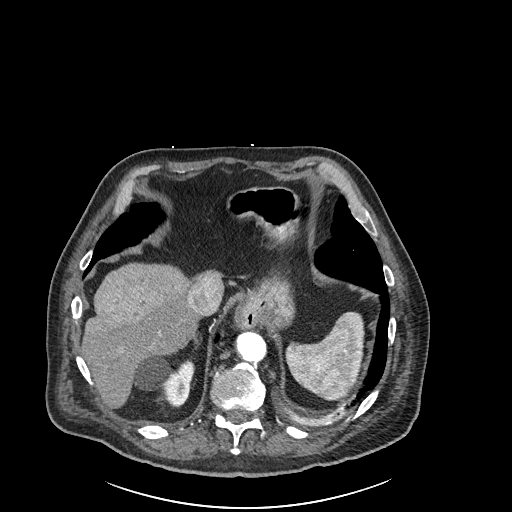
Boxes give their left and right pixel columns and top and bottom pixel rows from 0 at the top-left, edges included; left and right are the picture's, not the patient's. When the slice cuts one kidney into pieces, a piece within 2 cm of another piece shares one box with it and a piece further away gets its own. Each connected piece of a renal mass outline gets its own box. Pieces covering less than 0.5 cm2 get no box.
This is axial slice 206 of 261 (slice 1 is the lowest) of an arterial-phase abdominal CT with contrast; each pixel is 0.939 mm and the slice is 2.00 mm thick. Right kidney in the box with left 133, top 356, right 194, bottom 406 (outlined area 1,904 px, about 16.8 cm2). No renal mass is outlined on this slice.
Acquired at 120 kVp and reconstructed with the I30f kernel.